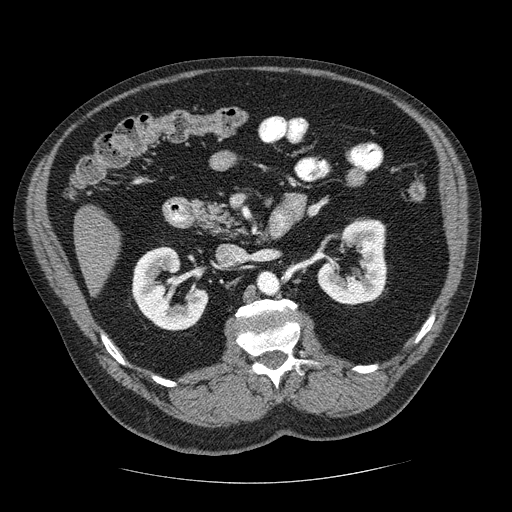
Contrast-enhanced abdominal CT, axial slice 135 of 206 (counted from the lowest slice); tube voltage 120 kVp, convolution kernel STANDARD; slices 2.50 mm thick, 0.879 mm per pixel.
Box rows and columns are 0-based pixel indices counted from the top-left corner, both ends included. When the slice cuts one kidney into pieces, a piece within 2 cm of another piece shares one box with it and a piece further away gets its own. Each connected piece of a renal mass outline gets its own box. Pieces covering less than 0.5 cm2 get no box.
Boxed on this slice (two kidney boxes and one renal mass box), listed by box centre from the image's left to its right: (1) Right kidney, box rows 246–331, columns 132–208 (outlined area 3,917 px, about 30.3 cm2). (2) Box rows 252–273, columns 162–181: right renal mass (outlined area 354 px, about 2.7 cm2). (3) Left kidney at rows 219–305, columns 317–387 (outlined area 4,164 px, about 32.2 cm2).